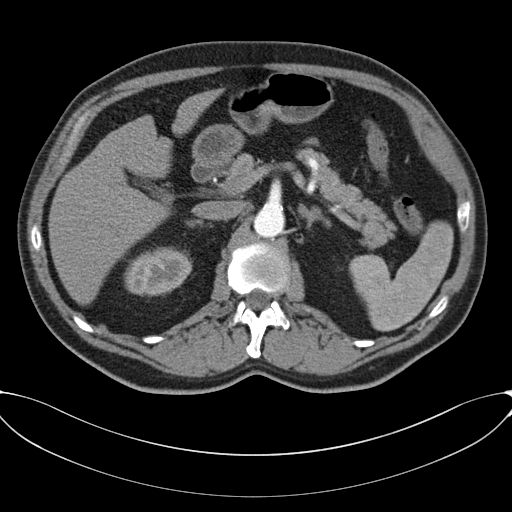
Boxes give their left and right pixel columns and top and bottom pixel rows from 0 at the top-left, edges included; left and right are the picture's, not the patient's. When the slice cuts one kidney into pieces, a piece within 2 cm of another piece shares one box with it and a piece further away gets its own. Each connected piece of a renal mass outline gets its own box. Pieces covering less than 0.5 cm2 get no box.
Slice 46/80 of a contrast-enhanced abdominal CT, counting up from the lowest; pixel size 0.822 mm, slice thickness 3.00 mm. Right kidney, the box with left 124, top 247, right 192, bottom 296 (outlined area 2,478 px, about 16.8 cm2). No renal mass is outlined on this slice.
Acquired at 120 kVp and reconstructed with the B30f kernel.